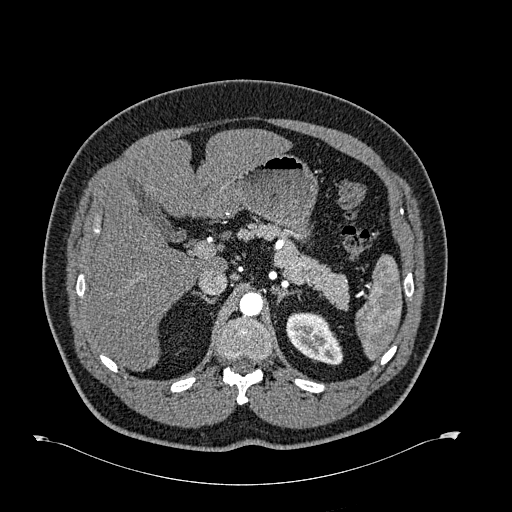
Abdominal CT with intravenous contrast, arterial phase, axial plane, 120 kVp, kernel B30f. Slice 468/723 from the bottom of the scan; thickness 1.00 mm; pixel size 0.895 mm.
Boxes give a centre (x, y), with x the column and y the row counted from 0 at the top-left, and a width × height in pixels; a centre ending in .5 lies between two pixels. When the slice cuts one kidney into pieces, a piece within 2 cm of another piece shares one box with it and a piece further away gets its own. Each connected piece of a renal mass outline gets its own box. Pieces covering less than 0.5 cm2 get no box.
Left kidney in a box with centre (314.5, 338.5), 58 × 54 pixels (outlined area 2,120 px, about 17.0 cm2). No renal mass is outlined on this slice.